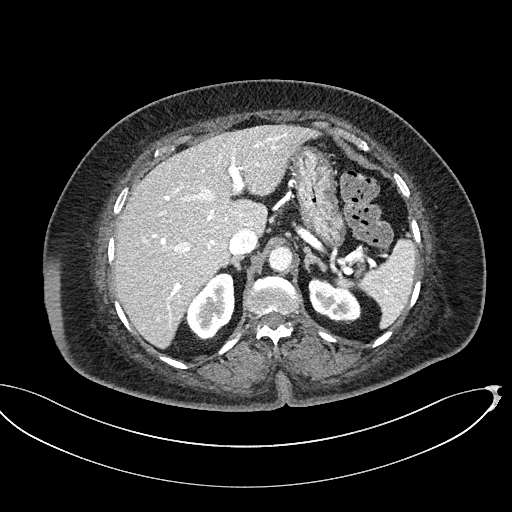
One axial slice (354 of 439, counting up from the lowest) of a contrast-enhanced abdominal CT acquired with 100 kVp, kernel I40f; each pixel is 0.850 mm and the slice is 2.00 mm thick.
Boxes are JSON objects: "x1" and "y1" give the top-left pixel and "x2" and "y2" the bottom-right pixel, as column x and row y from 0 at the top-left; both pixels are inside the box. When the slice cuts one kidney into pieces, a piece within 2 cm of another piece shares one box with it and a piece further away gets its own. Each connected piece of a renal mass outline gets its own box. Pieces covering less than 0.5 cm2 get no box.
Two kidney boxes on this slice; by box centre, from the image's left to its right: (1) Right kidney at {"x1": 187, "y1": 272, "x2": 234, "y2": 340} (outlined area 2,312 px, about 16.7 cm2). (2) Box {"x1": 308, "y1": 277, "x2": 361, "y2": 323}: left kidney (outlined area 1,688 px, about 12.2 cm2). No renal mass is outlined on this slice.